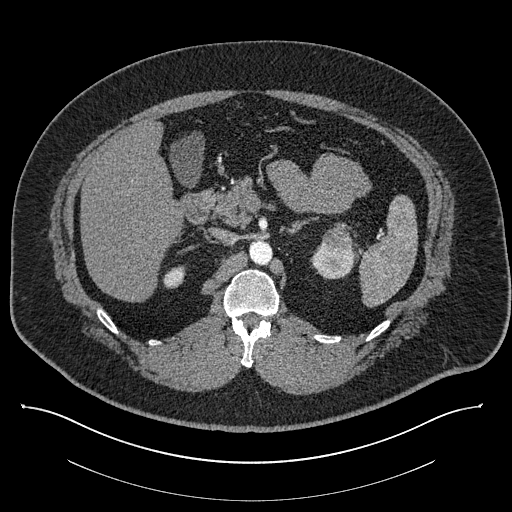
Contrast-enhanced abdominal CT, axial slice 550 of 787 (counted from the lowest slice); tube voltage 140 kVp, convolution kernel I30f; slices 1.00 mm thick, 0.910 mm per pixel.
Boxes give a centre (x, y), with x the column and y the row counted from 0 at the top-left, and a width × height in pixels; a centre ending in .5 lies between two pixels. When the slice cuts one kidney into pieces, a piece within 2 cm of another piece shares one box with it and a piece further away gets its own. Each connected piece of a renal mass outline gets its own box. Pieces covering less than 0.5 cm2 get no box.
Three boxes on this slice (two kidney boxes and one renal mass box), listed by box centre from the image's left to its right. (1) Box centre (173.5, 276.5), 24 × 24 pixels: right kidney (outlined area 403 px, about 3.3 cm2). (2) Left kidney, box centre (332.5, 261), 46 × 37 pixels (outlined area 1,118 px, about 9.3 cm2). (3) Left renal mass in a box with centre (337.5, 239), 34 × 29 pixels (outlined area 669 px, about 5.5 cm2).